Abdominal CT with intravenous contrast, axial plane, 140 kVp, kernel B41f. Slice 19/61 from the bottom of the scan; thickness 3.00 mm; pixel size 0.939 mm.
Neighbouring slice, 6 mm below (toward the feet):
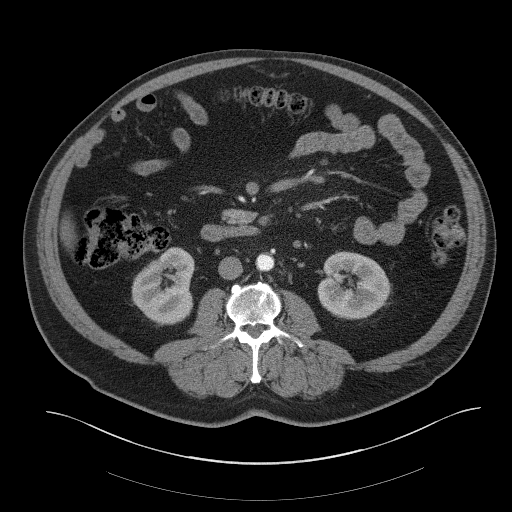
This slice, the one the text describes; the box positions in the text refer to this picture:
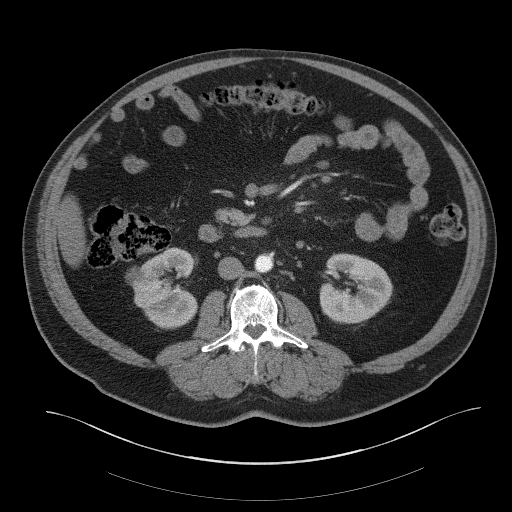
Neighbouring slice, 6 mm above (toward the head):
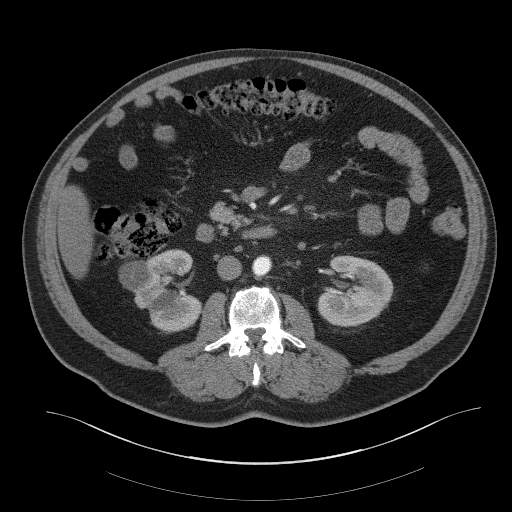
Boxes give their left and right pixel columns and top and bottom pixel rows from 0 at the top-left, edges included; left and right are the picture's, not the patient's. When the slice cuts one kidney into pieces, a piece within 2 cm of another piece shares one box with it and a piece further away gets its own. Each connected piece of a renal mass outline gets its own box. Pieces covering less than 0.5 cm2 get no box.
Three boxes on this slice (two kidney boxes and one renal mass box), listed by box centre from the image's left to its right. (1) Right renal mass, the box with left 125, top 266, right 141, bottom 284 (outlined area 214 px, about 1.9 cm2). (2) Box with left 131, top 247, right 199, bottom 329: right kidney (outlined area 3,814 px, about 33.7 cm2). (3) Box with left 319, top 253, right 392, bottom 323: left kidney (outlined area 3,954 px, about 34.9 cm2). This slice lies near the end of the right renal mass toward the feet; the slices 6 mm below and 6 mm above it are shown too, and the boxes mark positions on this slice only.